Contrast-enhanced abdominal CT, axial slice 173 of 274 (counted from the lowest slice); tube voltage 120 kVp, convolution kernel B31f; slices 2.00 mm thick, 0.977 mm per pixel.
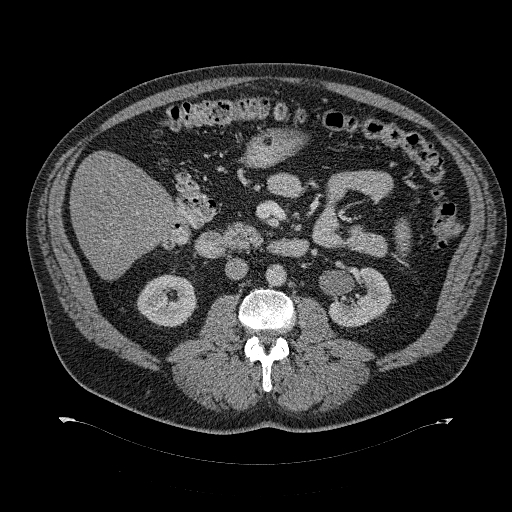
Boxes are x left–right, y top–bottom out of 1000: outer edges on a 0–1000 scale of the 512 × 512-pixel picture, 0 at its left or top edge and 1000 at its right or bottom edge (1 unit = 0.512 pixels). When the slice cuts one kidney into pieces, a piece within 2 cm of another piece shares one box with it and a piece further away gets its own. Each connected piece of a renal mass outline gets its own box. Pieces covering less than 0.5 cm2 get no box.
Boxed on this slice (two kidney boxes), listed by box centre from the image's left to its right: (1) Right kidney, box x 266–387, y 535–641 out of 1000 (outlined area 2,420 px, about 23.1 cm2). (2) Box x 643–773, y 521–641 out of 1000: left kidney (outlined area 2,546 px, about 24.3 cm2). This slice carries no renal mass outline.